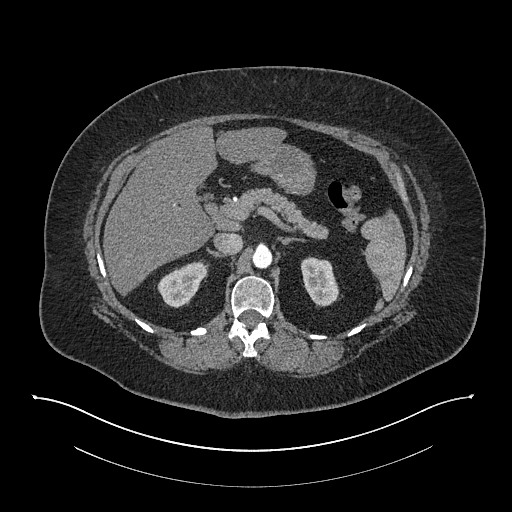
Axial slice 549 of 673 of a contrast-enhanced abdominal CT in the arterial phase (slice 1 is the lowest), 140 kVp, kernel I30f; 1.00 mm slice thickness and 0.957 mm pixels.
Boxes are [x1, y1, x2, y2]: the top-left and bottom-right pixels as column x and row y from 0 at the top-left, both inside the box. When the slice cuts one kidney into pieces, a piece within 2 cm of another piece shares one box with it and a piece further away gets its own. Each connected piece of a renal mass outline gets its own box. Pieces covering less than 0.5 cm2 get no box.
Two kidney boxes on this slice; by box centre, from the image's left to its right: (1) Right kidney at [157, 260, 209, 307] (outlined area 1,536 px, about 14.1 cm2). (2) Box [300, 256, 339, 306]: left kidney (outlined area 1,442 px, about 13.2 cm2).